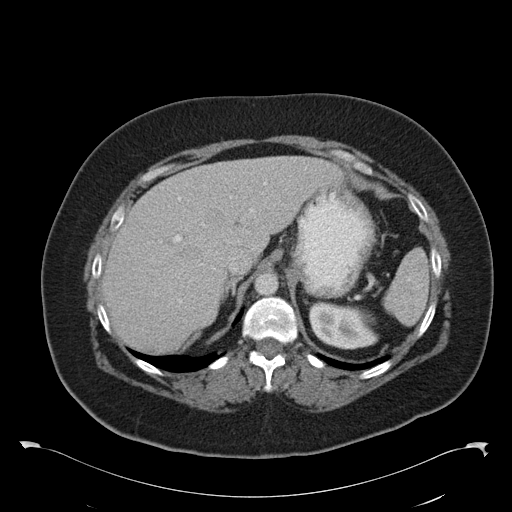
Arterial-phase contrast-enhanced abdominal CT, axial slice 75 of 97 (counted from the lowest slice); tube voltage 120 kVp, convolution kernel B30f; slices 5.00 mm thick, 0.824 mm per pixel.
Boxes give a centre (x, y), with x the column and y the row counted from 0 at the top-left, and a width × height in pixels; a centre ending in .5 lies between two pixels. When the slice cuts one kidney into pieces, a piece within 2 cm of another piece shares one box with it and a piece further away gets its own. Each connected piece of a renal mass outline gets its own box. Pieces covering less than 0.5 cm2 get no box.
Left kidney in a box with centre (343.5, 325), 70 × 49 pixels (outlined area 2,592 px, about 17.6 cm2). No renal mass is outlined on this slice.